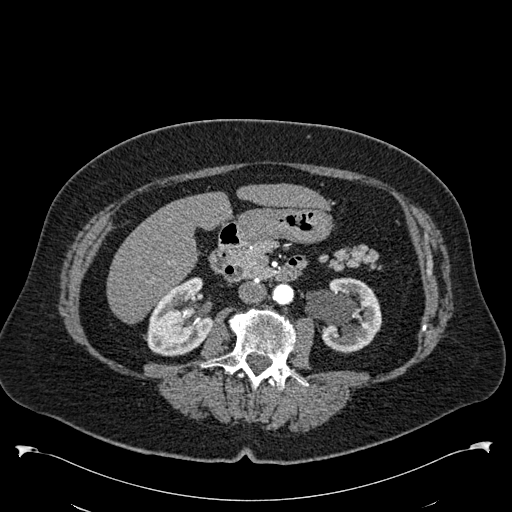
Arterial-phase contrast-enhanced abdominal CT, axial slice 303 of 538 (counted from the lowest slice); tube voltage 120 kVp, convolution kernel B30f; slices 1.00 mm thick, 0.811 mm per pixel.
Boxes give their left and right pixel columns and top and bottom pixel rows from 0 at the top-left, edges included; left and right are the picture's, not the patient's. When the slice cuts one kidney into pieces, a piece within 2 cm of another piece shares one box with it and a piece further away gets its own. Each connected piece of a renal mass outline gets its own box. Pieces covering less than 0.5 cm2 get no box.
Two boxes on this slice (two kidney boxes), listed by box centre from the image's left to its right. (1) Box with left 145, top 278, right 213, bottom 356: right kidney (outlined area 3,764 px, about 24.7 cm2). (2) Left kidney, the box with left 304, top 277, right 382, bottom 352 (outlined area 4,069 px, about 26.7 cm2). This slice carries no renal mass outline.